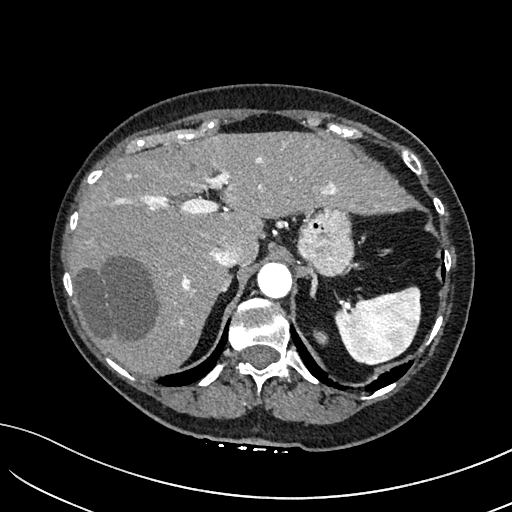
Axial slice 137 of 234 of a contrast-enhanced abdominal CT in the arterial phase (slice 1 is the lowest), 100 kVp, kernel I40f; 2.00 mm slice thickness and 0.699 mm pixels.
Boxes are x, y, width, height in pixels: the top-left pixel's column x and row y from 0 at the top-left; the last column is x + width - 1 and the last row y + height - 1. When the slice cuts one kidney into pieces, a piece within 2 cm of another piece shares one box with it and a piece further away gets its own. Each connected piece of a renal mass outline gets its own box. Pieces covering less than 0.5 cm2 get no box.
Left kidney, box x 313, y 329, width 14, height 17 (outlined area 158 px, about 0.8 cm2). No renal mass outline on this slice.